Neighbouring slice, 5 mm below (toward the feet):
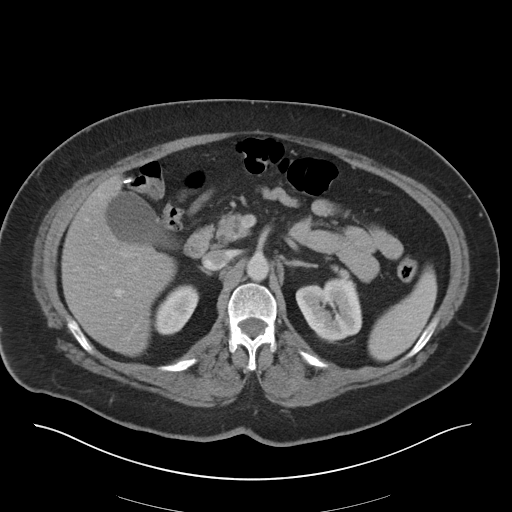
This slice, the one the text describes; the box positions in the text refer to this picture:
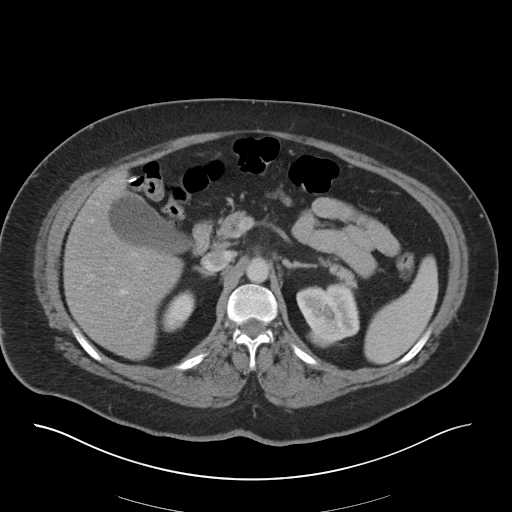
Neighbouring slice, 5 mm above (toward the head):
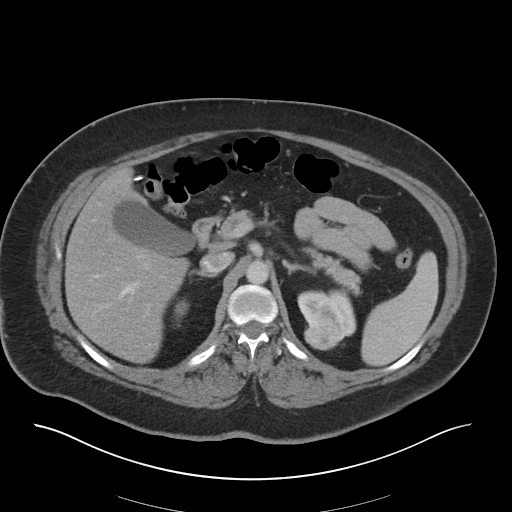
Axial slice 24 of 36 of a contrast-enhanced abdominal CT in the arterial phase (slice 1 is the lowest), 140 kVp, kernel I30f; 5.00 mm slice thickness and 0.906 mm pixels.
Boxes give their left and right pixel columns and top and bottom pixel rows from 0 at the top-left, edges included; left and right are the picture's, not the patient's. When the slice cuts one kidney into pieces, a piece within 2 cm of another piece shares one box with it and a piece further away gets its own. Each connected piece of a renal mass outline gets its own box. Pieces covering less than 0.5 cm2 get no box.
Boxed on this slice (two kidney boxes and one renal mass box), listed by box centre from the image's left to its right: (1) Box with left 160, top 290, right 195, bottom 332: right kidney (outlined area 971 px, about 8.0 cm2). (2) Box with left 307, top 330, right 335, bottom 348: left renal mass (outlined area 381 px, about 3.1 cm2). (3) Box with left 296, top 281, right 359, bottom 344: left kidney (outlined area 2,731 px, about 22.4 cm2). This slice is near the end of the left renal mass toward the feet, so the slices 5 mm below and 5 mm above it are shown as well; the boxes refer to this slice only.